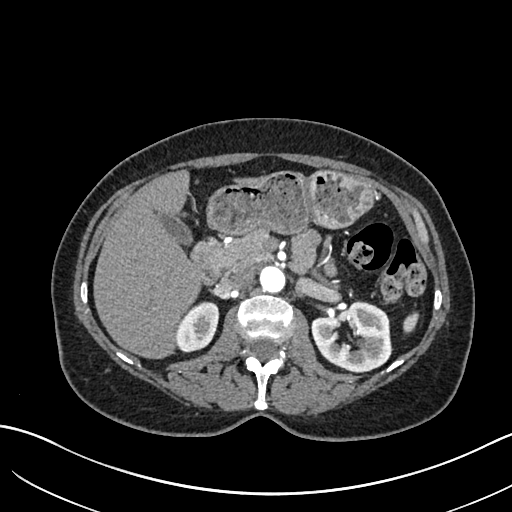
Axial slice 407 of 683 of a contrast-enhanced abdominal CT in the arterial phase (slice 1 is the lowest), 120 kVp, kernel I30f; 1.00 mm slice thickness and 0.738 mm pixels.
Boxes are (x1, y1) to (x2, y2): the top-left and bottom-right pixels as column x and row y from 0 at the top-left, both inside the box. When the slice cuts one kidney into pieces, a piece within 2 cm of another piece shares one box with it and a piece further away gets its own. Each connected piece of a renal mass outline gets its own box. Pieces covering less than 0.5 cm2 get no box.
Boxed on this slice (two kidney boxes), listed by box centre from the image's left to its right: (1) Right kidney from (176, 301) to (219, 352) (outlined area 1,652 px, about 9.0 cm2). (2) Box (311, 300) to (391, 370): left kidney (outlined area 4,150 px, about 22.6 cm2). No renal mass is outlined on this slice.